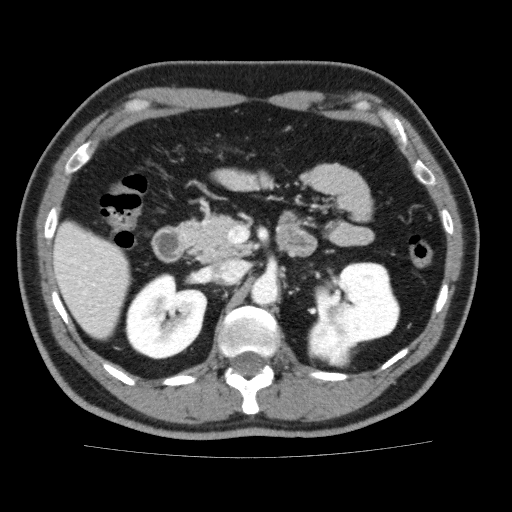
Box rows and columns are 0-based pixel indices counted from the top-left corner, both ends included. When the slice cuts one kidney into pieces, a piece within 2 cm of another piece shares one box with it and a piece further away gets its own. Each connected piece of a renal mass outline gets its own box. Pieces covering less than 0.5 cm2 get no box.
Slice 110/159 of a contrast-enhanced abdominal CT, counting up from the lowest; pixel size 0.668 mm, slice thickness 3.00 mm. Three boxes on this slice (two kidney boxes and one renal mass box), listed by box centre from the image's left to its right. (1) Right kidney, box rows 273–359, columns 124–207 (outlined area 5,167 px, about 23.1 cm2). (2) Box rows 318–368, columns 307–354: left renal mass (outlined area 1,870 px, about 8.3 cm2). (3) Left kidney at rows 262–346, columns 313–400 (outlined area 4,991 px, about 22.3 cm2).
Acquired at 120 kVp and reconstructed with the FC13 kernel.